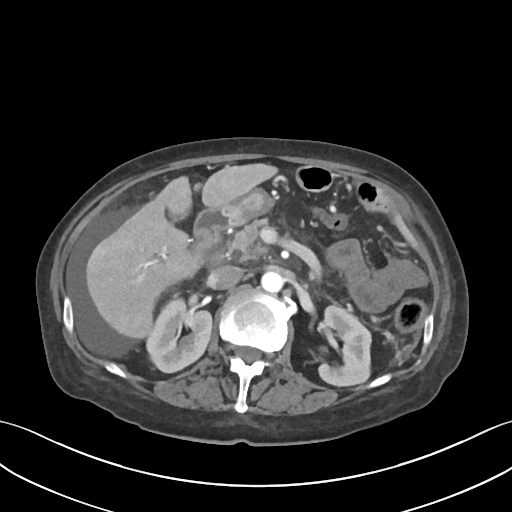
Axial slice 48 of 109 of a contrast-enhanced abdominal CT (slice 1 is the lowest), 120 kVp, kernel I30f; 3.00 mm slice thickness and 0.742 mm pixels.
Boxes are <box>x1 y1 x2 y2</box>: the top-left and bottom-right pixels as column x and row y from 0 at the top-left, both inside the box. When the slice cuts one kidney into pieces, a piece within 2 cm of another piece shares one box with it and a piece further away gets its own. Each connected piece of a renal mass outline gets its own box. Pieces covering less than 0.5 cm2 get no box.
Two boxes on this slice (two kidney boxes), listed by box centre from the image's left to its right. (1) At <box>145 297 212 373</box>: right kidney (outlined area 3,710 px, about 20.4 cm2). (2) Left kidney: <box>317 305 372 386</box> (outlined area 3,505 px, about 19.3 cm2). No renal mass outline on this slice.